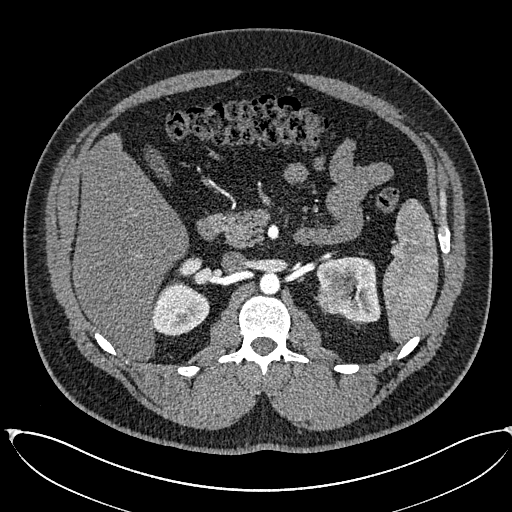
Arterial-phase contrast-enhanced abdominal CT, axial slice 389 of 673 (counted from the lowest slice); tube voltage 120 kVp, convolution kernel I30f; slices 1.00 mm thick, 0.855 mm per pixel.
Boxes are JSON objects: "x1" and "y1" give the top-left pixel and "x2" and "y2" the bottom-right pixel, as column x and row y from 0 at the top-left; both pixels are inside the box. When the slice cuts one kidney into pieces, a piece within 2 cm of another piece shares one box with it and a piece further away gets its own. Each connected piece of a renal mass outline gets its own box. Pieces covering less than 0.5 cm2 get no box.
Two kidney boxes and one renal mass box on this slice; by box centre, from the image's left to its right: (1) Right kidney, box {"x1": 151, "y1": 257, "x2": 209, "y2": 336} (outlined area 2,702 px, about 19.8 cm2). (2) Left renal mass at {"x1": 315, "y1": 280, "x2": 354, "y2": 314} (outlined area 1,067 px, about 7.8 cm2). (3) Box {"x1": 316, "y1": 256, "x2": 381, "y2": 323}: left kidney (outlined area 2,510 px, about 18.4 cm2).